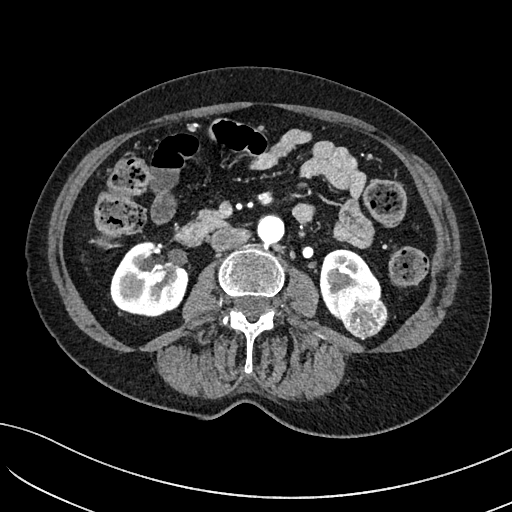
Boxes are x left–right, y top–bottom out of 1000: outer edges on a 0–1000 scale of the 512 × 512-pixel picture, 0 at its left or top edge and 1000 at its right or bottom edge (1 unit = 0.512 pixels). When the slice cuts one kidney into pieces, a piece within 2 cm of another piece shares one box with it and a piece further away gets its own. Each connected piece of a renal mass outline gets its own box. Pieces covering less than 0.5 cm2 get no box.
This is axial slice 41 of 234 (slice 1 is the lowest) of an arterial-phase abdominal CT with contrast; each pixel is 0.699 mm and the slice is 2.00 mm thick. Two kidney boxes and one renal mass box on this slice; by box centre, from the image's left to its right: (1) Right kidney at x 215–369, y 471–621 out of 1000 (outlined area 4,405 px, about 21.5 cm2). (2) Left kidney at x 623–746, y 486–625 out of 1000 (outlined area 2,295 px, about 11.2 cm2). (3) Left renal mass at x 654–758, y 561–664 out of 1000 (outlined area 2,031 px, about 9.9 cm2).
Acquired at 100 kVp and reconstructed with the I40f kernel.